Arterial-phase contrast-enhanced abdominal CT, axial slice 338 of 553 (counted from the lowest slice); tube voltage 120 kVp, convolution kernel B20f; slices 1.00 mm thick, 0.773 mm per pixel.
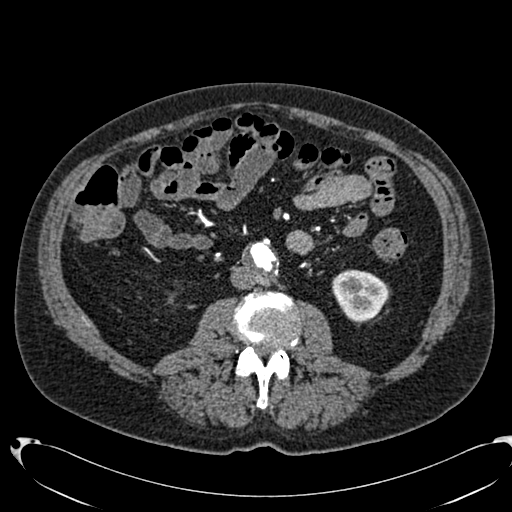
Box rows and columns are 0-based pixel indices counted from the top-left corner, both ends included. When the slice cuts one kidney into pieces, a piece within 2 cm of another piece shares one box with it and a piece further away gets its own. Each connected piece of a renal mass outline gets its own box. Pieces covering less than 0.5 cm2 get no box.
Box rows 269–321, columns 332–387: left kidney (outlined area 2,236 px, about 13.4 cm2). No renal mass outline on this slice.